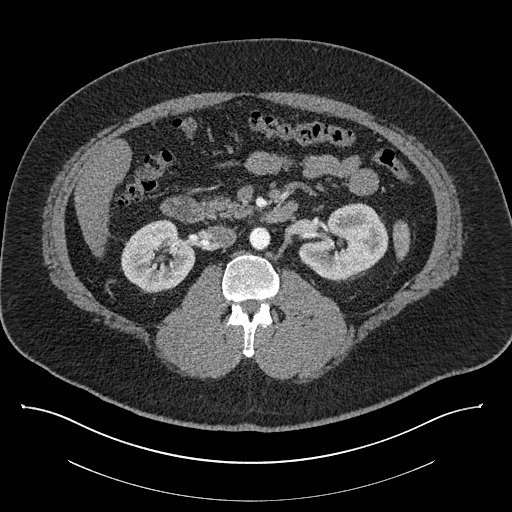
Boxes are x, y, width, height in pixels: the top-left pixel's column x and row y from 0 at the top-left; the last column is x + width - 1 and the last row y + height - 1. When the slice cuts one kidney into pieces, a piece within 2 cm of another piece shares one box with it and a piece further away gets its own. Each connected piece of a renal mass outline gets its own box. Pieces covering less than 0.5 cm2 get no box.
This is axial slice 485 of 787 (slice 1 is the lowest) of an abdominal CT with contrast; each pixel is 0.910 mm and the slice is 1.00 mm thick. Two boxes on this slice (two kidney boxes), listed by box centre from the image's left to its right. (1) Right kidney at x 121, y 219, width 75, height 75 (outlined area 3,976 px, about 32.9 cm2). (2) Left kidney at x 298, y 202, width 91, height 78 (outlined area 4,863 px, about 40.3 cm2). No renal mass is outlined on this slice.
Tube voltage 140 kVp; convolution kernel I30f.